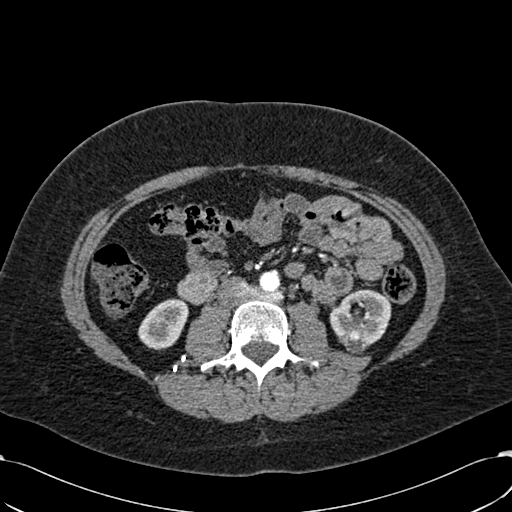
Axial slice 288 of 532 of a contrast-enhanced abdominal CT in the arterial phase (slice 1 is the lowest), 120 kVp, kernel B30f; 1.00 mm slice thickness and 0.713 mm pixels.
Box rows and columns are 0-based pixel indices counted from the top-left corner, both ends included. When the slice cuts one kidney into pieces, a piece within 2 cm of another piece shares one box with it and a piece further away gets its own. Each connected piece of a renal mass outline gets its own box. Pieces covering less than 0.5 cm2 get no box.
Boxed on this slice (two kidney boxes and one renal mass box), listed by box centre from the image's left to its right: (1) Box rows 298–350, columns 138–188: right kidney (outlined area 1,869 px, about 9.5 cm2). (2) Left renal mass, box rows 335–354, columns 341–367 (outlined area 365 px, about 1.9 cm2). (3) Box rows 289–346, columns 329–391: left kidney (outlined area 2,462 px, about 12.5 cm2).